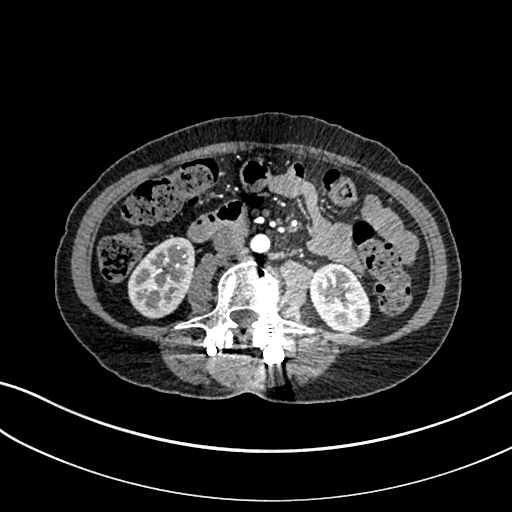
Axial slice 102 of 325 of a contrast-enhanced abdominal CT in the arterial phase (slice 1 is the lowest), 100 kVp, kernel I30f; 1.00 mm slice thickness and 0.703 mm pixels.
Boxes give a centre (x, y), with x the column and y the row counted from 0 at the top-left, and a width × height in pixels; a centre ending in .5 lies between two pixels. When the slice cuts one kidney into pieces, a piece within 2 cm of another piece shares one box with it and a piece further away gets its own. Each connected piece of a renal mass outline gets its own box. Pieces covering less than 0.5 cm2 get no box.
Two boxes on this slice (two kidney boxes), listed by box centre from the image's left to its right. (1) Box centre (161, 277.5), 69 × 82 pixels: right kidney (outlined area 3,992 px, about 19.7 cm2). (2) Box centre (340, 297.5), 63 × 70 pixels: left kidney (outlined area 3,287 px, about 16.3 cm2). No renal mass is outlined on this slice.